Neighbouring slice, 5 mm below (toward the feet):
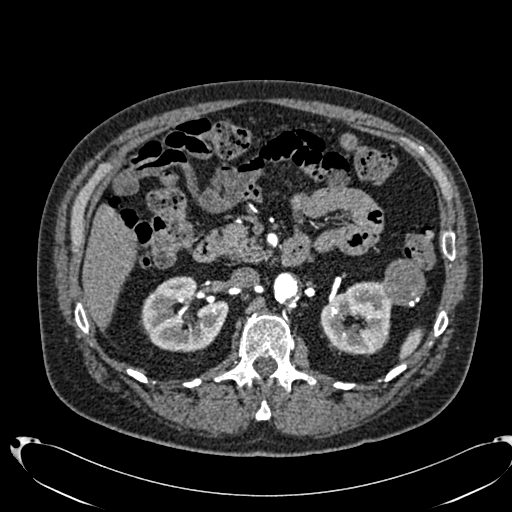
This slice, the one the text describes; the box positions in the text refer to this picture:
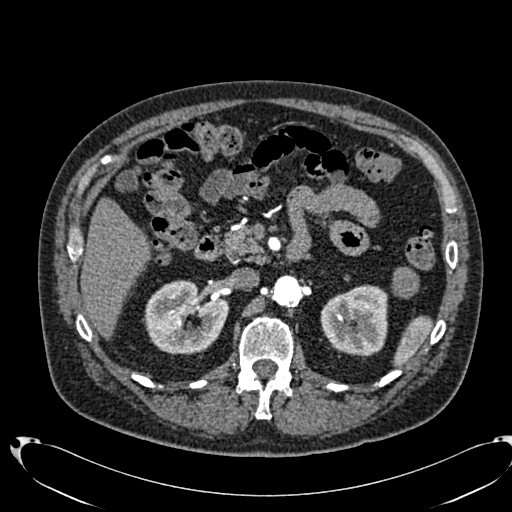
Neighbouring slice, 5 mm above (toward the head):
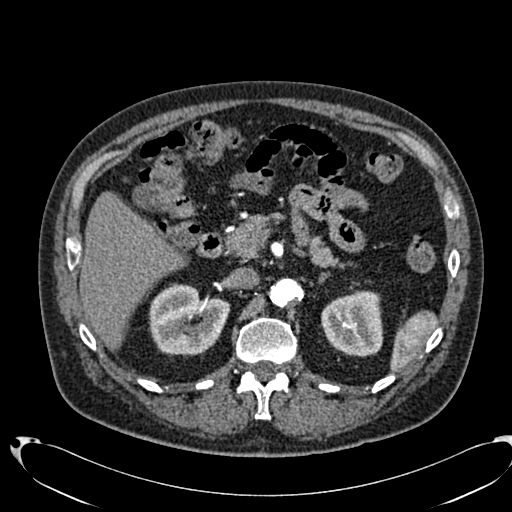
Abdominal CT with intravenous contrast, arterial phase, axial plane, 120 kVp, kernel B20f. Slice 450/553 from the bottom of the scan; thickness 1.00 mm; pixel size 0.773 mm.
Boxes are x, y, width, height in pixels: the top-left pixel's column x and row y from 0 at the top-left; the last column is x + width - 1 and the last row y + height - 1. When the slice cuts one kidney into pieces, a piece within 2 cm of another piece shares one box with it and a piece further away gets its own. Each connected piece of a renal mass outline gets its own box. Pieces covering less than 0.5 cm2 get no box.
Two kidney boxes and one renal mass box on this slice; by box centre, from the image's left to its right: (1) Right kidney at x 142, y 280, width 88, height 75 (outlined area 4,751 px, about 28.4 cm2). (2) Box x 320, y 284, width 68, height 73: left kidney (outlined area 3,893 px, about 23.3 cm2). (3) Box x 391, y 267, width 29, height 32: left renal mass (outlined area 723 px, about 4.3 cm2). This slice is near the end of the left renal mass toward the head, so the slices 5 mm below and 5 mm above it are shown as well; the boxes refer to this slice only.